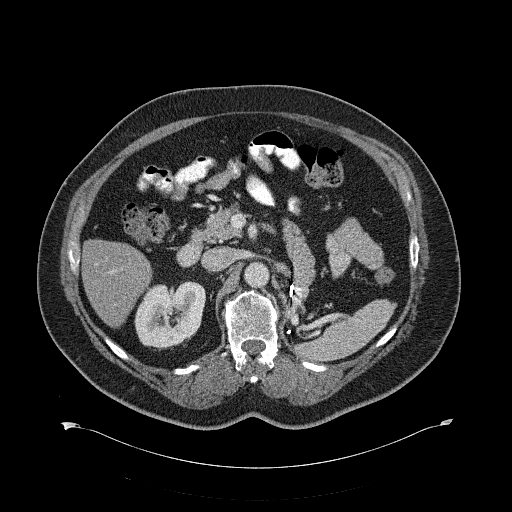
One axial slice (396 of 734, counting up from the lowest) of a contrast-enhanced abdominal CT acquired with 120 kVp, kernel B31f; each pixel is 0.971 mm and the slice is 2.00 mm thick.
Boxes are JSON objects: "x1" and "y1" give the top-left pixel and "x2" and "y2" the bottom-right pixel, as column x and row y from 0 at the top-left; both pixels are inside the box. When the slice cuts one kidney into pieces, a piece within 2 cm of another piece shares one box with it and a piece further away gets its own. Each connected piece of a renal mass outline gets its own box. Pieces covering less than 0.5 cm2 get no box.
Right kidney at {"x1": 134, "y1": 280, "x2": 205, "y2": 350} (outlined area 3,829 px, about 36.1 cm2). No renal mass is outlined on this slice.